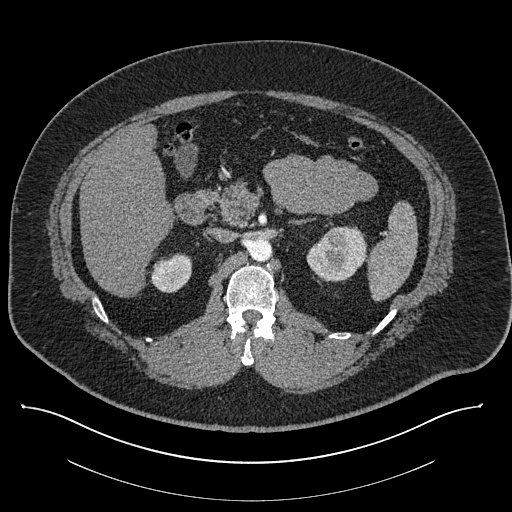
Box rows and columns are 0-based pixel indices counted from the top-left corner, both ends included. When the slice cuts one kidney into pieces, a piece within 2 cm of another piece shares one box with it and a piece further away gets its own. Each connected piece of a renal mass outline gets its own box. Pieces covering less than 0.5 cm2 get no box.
Slice 539/787 of a contrast-enhanced abdominal CT, counting up from the lowest; pixel size 0.910 mm, slice thickness 1.00 mm. Two boxes on this slice (two kidney boxes), listed by box centre from the image's left to its right. (1) Right kidney at rows 253–292, columns 150–192 (outlined area 1,283 px, about 10.6 cm2). (2) Left kidney, box rows 226–282, columns 306–367 (outlined area 2,531 px, about 21.0 cm2).
Tube voltage 140 kVp; convolution kernel I30f.